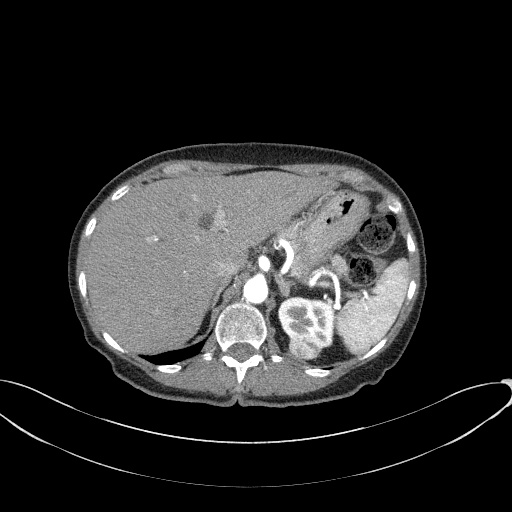
One axial slice (51 of 77, counting up from the lowest) of an arterial-phase abdominal CT acquired with 100 kVp, kernel B41f; each pixel is 0.809 mm and the slice is 3.00 mm thick.
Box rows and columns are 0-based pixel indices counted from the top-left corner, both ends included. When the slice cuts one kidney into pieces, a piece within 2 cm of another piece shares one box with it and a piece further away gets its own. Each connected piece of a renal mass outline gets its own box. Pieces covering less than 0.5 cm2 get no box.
Boxed on this slice (one kidney box and one renal mass box), listed by box centre from the image's left to its right: (1) Left renal mass at rows 332–360, columns 288–323 (outlined area 806 px, about 5.3 cm2). (2) Box rows 296–347, columns 277–335: left kidney (outlined area 2,032 px, about 13.3 cm2).